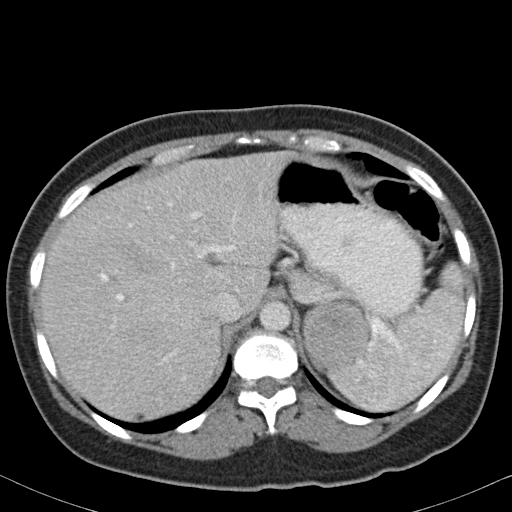
One axial slice (74 of 82, counting up from the lowest) of an arterial-phase abdominal CT acquired with 120 kVp, kernel B31f; each pixel is 0.625 mm and the slice is 5.00 mm thick.
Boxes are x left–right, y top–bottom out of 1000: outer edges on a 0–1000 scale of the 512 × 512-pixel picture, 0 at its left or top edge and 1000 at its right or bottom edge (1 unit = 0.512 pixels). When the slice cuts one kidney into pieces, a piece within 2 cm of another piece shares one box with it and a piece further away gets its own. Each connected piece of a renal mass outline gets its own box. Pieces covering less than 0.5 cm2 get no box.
Box x 590–723, y 588–725 out of 1000: left renal mass (outlined area 3,897 px, about 15.2 cm2); no kidney outline appears on this slice, but the same outlined renal mass comes within 1 cm of the kidney on another slice.